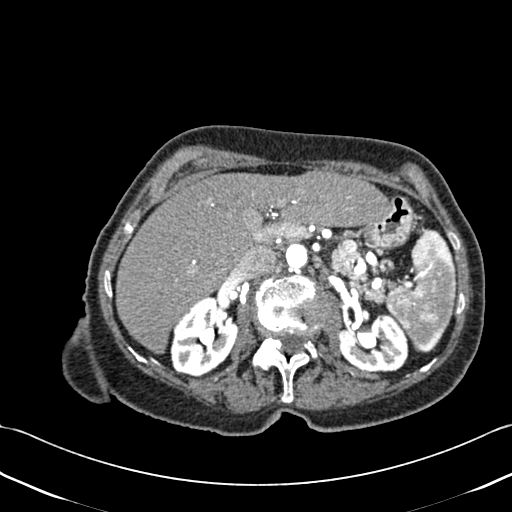
Axial slice 288 of 433 of a contrast-enhanced abdominal CT (slice 1 is the lowest), 120 kVp, kernel B30f; 1.00 mm slice thickness and 0.672 mm pixels.
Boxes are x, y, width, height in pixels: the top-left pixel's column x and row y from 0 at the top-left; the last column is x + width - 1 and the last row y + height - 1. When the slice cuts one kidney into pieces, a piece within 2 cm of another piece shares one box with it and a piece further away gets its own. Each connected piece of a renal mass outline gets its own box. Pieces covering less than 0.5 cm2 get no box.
Boxed on this slice (two kidney boxes), listed by box centre from the image's left to its right: (1) Right kidney, box x 170, y 296, width 69, height 81 (outlined area 3,938 px, about 17.8 cm2). (2) Left kidney at x 337, y 313, width 72, height 60 (outlined area 3,215 px, about 14.5 cm2). No renal mass outline on this slice.